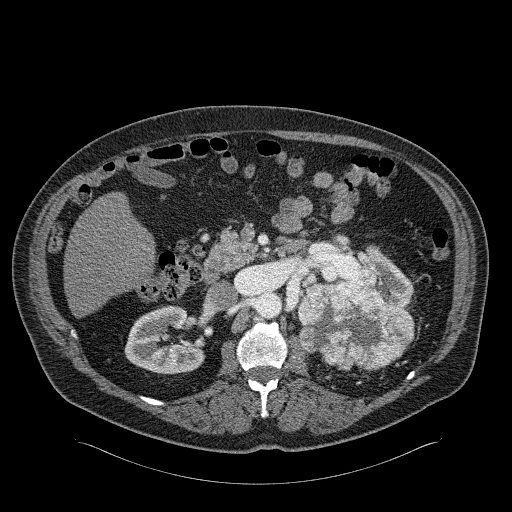
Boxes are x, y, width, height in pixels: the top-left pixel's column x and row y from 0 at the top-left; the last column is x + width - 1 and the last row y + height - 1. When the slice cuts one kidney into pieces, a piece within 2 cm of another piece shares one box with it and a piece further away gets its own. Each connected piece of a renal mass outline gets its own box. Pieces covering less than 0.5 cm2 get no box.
Arterial-phase contrast-enhanced abdominal CT, axial slice 138 of 326 (counted from the lowest slice); 2.00 mm thick, 0.963 mm per pixel. Two kidney boxes and one renal mass box on this slice; by box centre, from the image's left to its right: (1) Right kidney, box x 124, y 305, width 81, height 70 (outlined area 3,890 px, about 36.1 cm2). (2) Left renal mass at x 297, y 270, width 118, height 102 (outlined area 8,397 px, about 77.9 cm2). (3) Left kidney, box x 316, y 247, width 98, height 62 (outlined area 2,314 px, about 21.5 cm2).
Tube voltage 120 kVp; convolution kernel B31f.